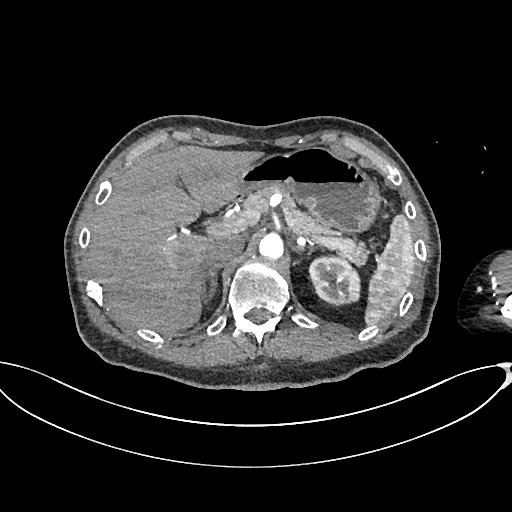
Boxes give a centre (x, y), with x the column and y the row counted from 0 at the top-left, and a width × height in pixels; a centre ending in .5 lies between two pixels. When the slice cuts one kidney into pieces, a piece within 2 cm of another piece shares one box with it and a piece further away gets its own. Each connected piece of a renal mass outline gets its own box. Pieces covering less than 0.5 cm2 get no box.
Arterial-phase contrast-enhanced abdominal CT, axial slice 490 of 665 (counted from the lowest slice); 1.00 mm thick, 0.828 mm per pixel. Left kidney, box centre (334, 280), 53 × 53 pixels (outlined area 2,106 px, about 14.4 cm2). No renal mass outline on this slice.
Tube voltage 100 kVp; convolution kernel I26f.